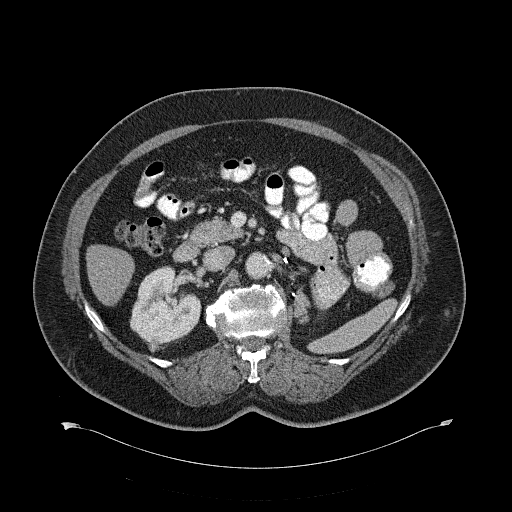
Axial slice 375 of 734 of a contrast-enhanced abdominal CT (slice 1 is the lowest), 120 kVp, kernel B31f; 2.00 mm slice thickness and 0.971 mm pixels.
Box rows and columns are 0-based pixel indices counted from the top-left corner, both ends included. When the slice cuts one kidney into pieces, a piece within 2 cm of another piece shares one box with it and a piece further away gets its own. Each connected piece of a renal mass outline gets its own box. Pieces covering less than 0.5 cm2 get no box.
Right kidney, box rows 266–347, columns 129–201 (outlined area 4,089 px, about 38.5 cm2).